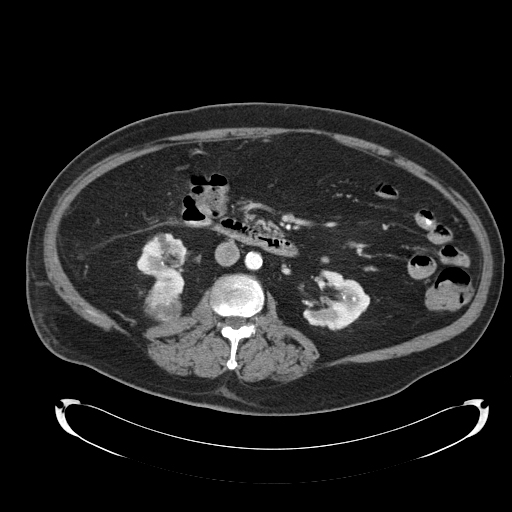
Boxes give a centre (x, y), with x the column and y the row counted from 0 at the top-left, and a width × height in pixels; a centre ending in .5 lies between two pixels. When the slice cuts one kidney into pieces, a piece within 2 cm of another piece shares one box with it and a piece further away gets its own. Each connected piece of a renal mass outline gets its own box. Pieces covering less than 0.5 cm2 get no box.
Contrast-enhanced abdominal CT, axial slice 58 of 92 (counted from the lowest slice); 5.00 mm thick, 0.918 mm per pixel. Three boxes on this slice (two kidney boxes and one renal mass box), listed by box centre from the image's left to its right. (1) Right kidney, box centre (162, 257), 53 × 49 pixels (outlined area 1,673 px, about 14.1 cm2). (2) Right renal mass in a box with centre (164.5, 295.5), 42 × 54 pixels (outlined area 1,613 px, about 13.6 cm2). (3) Left kidney, box centre (336, 300.5), 69 × 62 pixels (outlined area 2,649 px, about 22.3 cm2).
Scan settings: 120 kVp, B30f reconstruction kernel.